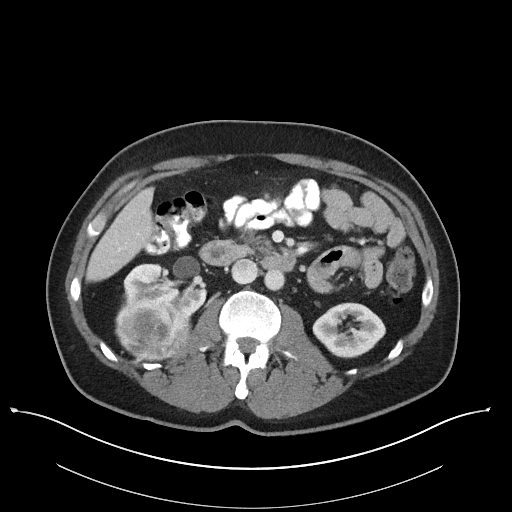
Abdominal CT with intravenous contrast, axial plane, 100 kVp, kernel I40f. Slice 66/101 from the bottom of the scan; thickness 5.00 mm; pixel size 0.879 mm.
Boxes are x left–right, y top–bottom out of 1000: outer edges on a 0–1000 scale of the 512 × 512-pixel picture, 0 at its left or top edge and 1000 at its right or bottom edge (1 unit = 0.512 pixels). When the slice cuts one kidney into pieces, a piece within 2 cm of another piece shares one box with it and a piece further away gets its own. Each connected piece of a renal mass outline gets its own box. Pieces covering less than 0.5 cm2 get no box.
Two kidney boxes and one renal mass box on this slice; by box centre, from the image's left to its right: (1) Box x 225–377, y 584–703 out of 1000: right renal mass (outlined area 3,729 px, about 28.8 cm2). (2) Box x 240–404, y 514–619 out of 1000: right kidney (outlined area 2,660 px, about 20.5 cm2). (3) Left kidney at x 609–754, y 590–701 out of 1000 (outlined area 2,908 px, about 22.5 cm2).